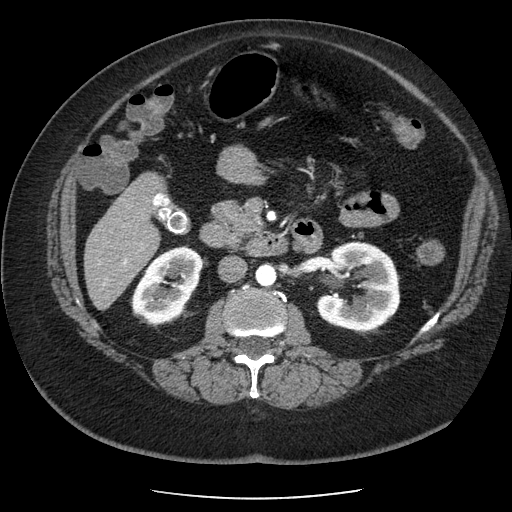
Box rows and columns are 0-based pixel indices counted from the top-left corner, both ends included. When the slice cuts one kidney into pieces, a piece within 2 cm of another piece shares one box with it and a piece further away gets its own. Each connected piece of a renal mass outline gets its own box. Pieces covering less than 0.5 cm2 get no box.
This is axial slice 120 of 186 (slice 1 is the lowest) of an arterial-phase abdominal CT with contrast; each pixel is 0.742 mm and the slice is 2.50 mm thick. Two boxes on this slice (two kidney boxes), listed by box centre from the image's left to its right. (1) Right kidney at rows 246–324, columns 131–202 (outlined area 3,881 px, about 21.4 cm2). (2) Left kidney, box rows 241–330, columns 315–400 (outlined area 5,690 px, about 31.3 cm2). This slice carries no renal mass outline.
Acquired at 120 kVp and reconstructed with the STANDARD kernel.